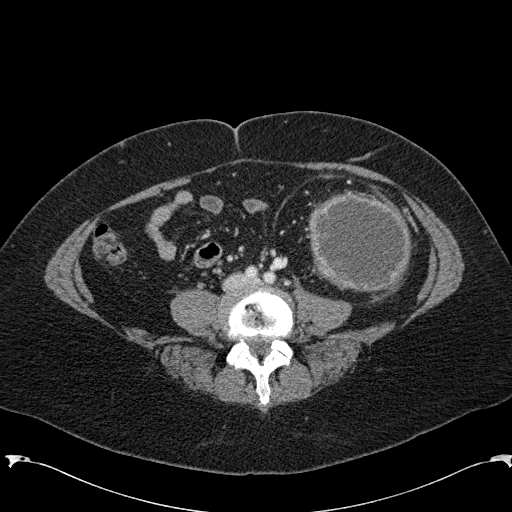
Axial slice 34 of 285 of a contrast-enhanced abdominal CT in the arterial phase (slice 1 is the lowest), 120 kVp, kernel B31f; 2.00 mm slice thickness and 0.762 mm pixels.
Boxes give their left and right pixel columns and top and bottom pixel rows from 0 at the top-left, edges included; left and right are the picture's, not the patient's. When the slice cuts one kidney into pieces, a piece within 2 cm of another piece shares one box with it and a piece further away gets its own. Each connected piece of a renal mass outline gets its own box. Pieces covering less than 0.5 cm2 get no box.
Box with left 306, top 190, right 412, bottom 291: left renal mass (outlined area 8,436 px, about 48.9 cm2); no kidney is outlined on this slice, but the same outlined renal mass comes within 1 cm of the kidney on another slice.